Axial slice 505 of 591 of a contrast-enhanced abdominal CT in the arterial phase (slice 1 is the lowest), 140 kVp, kernel I30f; 1.00 mm slice thickness and 0.703 mm pixels.
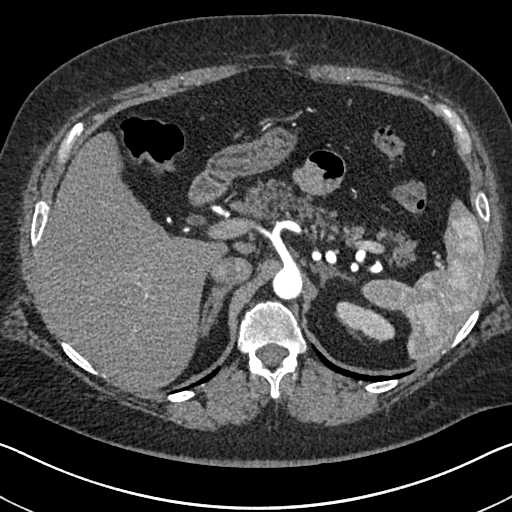
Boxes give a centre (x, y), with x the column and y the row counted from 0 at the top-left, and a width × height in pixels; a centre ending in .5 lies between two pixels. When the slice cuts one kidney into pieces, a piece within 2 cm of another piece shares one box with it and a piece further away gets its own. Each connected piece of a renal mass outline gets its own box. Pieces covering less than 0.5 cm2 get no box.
Left kidney, box centre (365, 320.5), 59 × 40 pixels (outlined area 1,377 px, about 6.8 cm2). No renal mass outline on this slice.